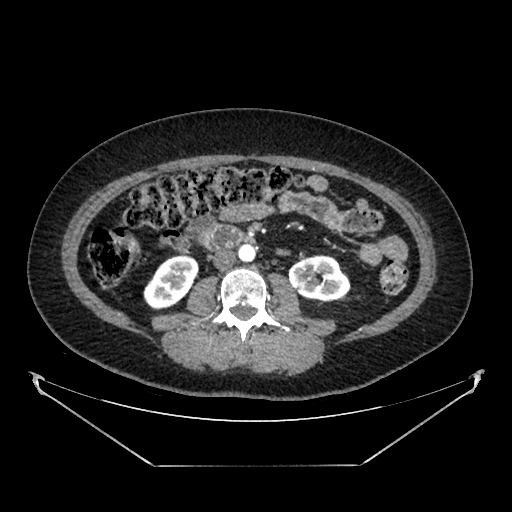
Axial slice 201 of 383 of a contrast-enhanced abdominal CT in the arterial phase (slice 1 is the lowest), 100 kVp, kernel SOFT; 1.25 mm slice thickness and 0.898 mm pixels.
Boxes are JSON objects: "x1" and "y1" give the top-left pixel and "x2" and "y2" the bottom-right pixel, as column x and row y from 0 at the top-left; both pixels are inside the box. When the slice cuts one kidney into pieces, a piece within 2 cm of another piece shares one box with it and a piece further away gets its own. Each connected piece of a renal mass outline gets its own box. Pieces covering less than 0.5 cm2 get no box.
Two boxes on this slice (two kidney boxes), listed by box centre from the image's left to its right. (1) Box {"x1": 143, "y1": 255, "x2": 198, "y2": 309}: right kidney (outlined area 2,099 px, about 16.9 cm2). (2) Left kidney, box {"x1": 288, "y1": 255, "x2": 350, "y2": 301} (outlined area 2,210 px, about 17.8 cm2). No renal mass is outlined on this slice.